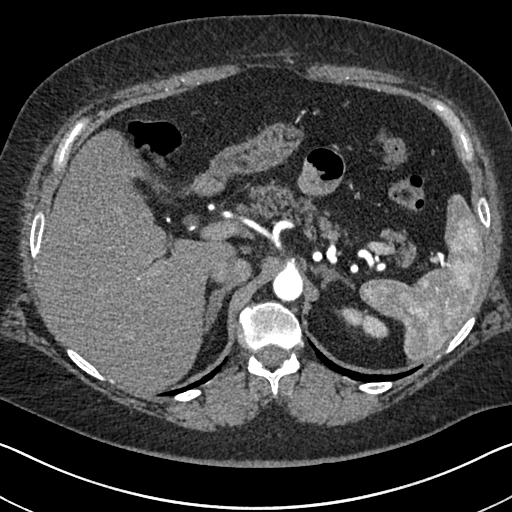
One axial slice (511 of 591, counting up from the lowest) of an arterial-phase abdominal CT acquired with 140 kVp, kernel I30f; each pixel is 0.703 mm and the slice is 1.00 mm thick.
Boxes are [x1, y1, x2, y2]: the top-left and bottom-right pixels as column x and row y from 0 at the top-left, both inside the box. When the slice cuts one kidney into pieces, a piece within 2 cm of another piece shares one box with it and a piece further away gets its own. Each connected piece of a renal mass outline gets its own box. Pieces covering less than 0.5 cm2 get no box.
Left kidney at [338, 307, 388, 338] (outlined area 793 px, about 3.9 cm2). No renal mass is outlined on this slice.